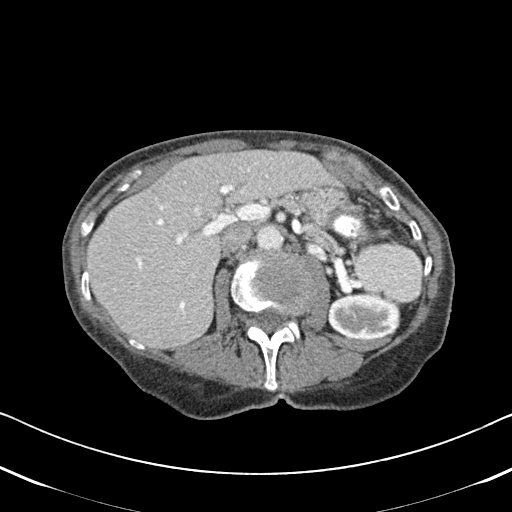
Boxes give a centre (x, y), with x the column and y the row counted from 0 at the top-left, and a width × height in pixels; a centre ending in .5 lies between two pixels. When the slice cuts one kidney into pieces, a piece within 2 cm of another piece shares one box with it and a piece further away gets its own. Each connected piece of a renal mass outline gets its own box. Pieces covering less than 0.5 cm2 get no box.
This is axial slice 309 of 620 (slice 1 is the lowest) of an arterial-phase abdominal CT with contrast; each pixel is 0.637 mm and the slice is 2.00 mm thick. Left kidney, box centre (364, 315.5), 75 × 48 pixels (outlined area 2,863 px, about 11.6 cm2). No renal mass outline on this slice.
Acquired at 120 kVp and reconstructed with the B31f kernel.